Axial slice 226 of 548 of a contrast-enhanced abdominal CT in the arterial phase (slice 1 is the lowest), 120 kVp, kernel I26f; 1.00 mm slice thickness and 0.852 mm pixels.
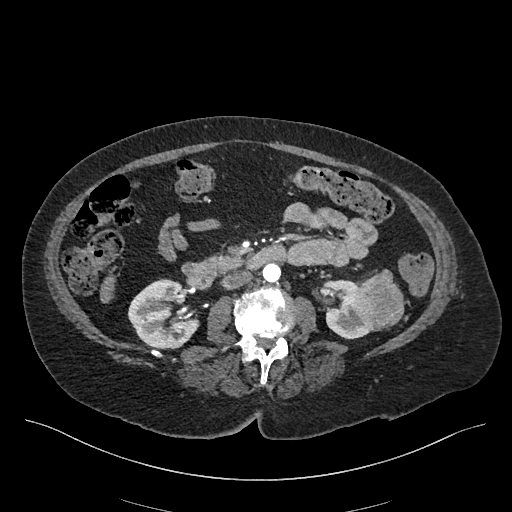
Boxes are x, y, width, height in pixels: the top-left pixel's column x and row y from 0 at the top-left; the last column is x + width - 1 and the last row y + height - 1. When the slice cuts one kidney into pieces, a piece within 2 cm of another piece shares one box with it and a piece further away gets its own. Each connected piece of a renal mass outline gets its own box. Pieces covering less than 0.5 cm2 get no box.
Three boxes on this slice (two kidney boxes and one renal mass box), listed by box centre from the image's left to its right. (1) Box x 128, y 278, width 71, height 72: right kidney (outlined area 3,592 px, about 26.0 cm2). (2) Left kidney at x 325, y 279, width 52, height 60 (outlined area 1,800 px, about 13.1 cm2). (3) Left renal mass, box x 352, y 269, width 53, height 62 (outlined area 2,285 px, about 16.6 cm2).